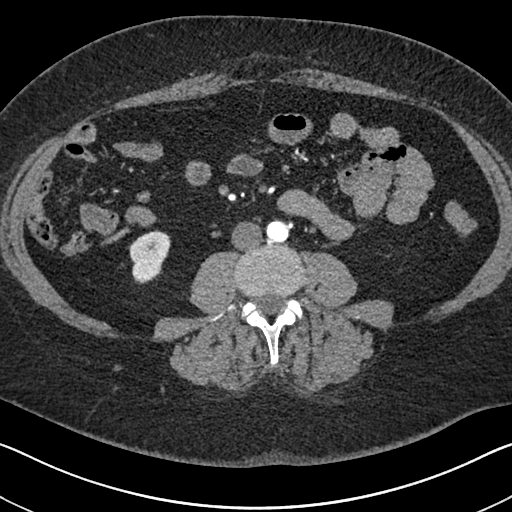
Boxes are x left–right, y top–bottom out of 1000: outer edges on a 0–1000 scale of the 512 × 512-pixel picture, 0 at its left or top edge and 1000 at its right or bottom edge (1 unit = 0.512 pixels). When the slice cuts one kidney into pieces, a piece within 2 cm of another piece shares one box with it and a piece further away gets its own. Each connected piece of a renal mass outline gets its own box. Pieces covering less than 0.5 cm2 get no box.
Arterial-phase contrast-enhanced abdominal CT, axial slice 283 of 591 (counted from the lowest slice); 1.00 mm thick, 0.703 mm per pixel. Right kidney, box x 252–334, y 449–555 out of 1000 (outlined area 1,614 px, about 8.0 cm2). This slice carries no renal mass outline.
Tube voltage 140 kVp; convolution kernel I30f.